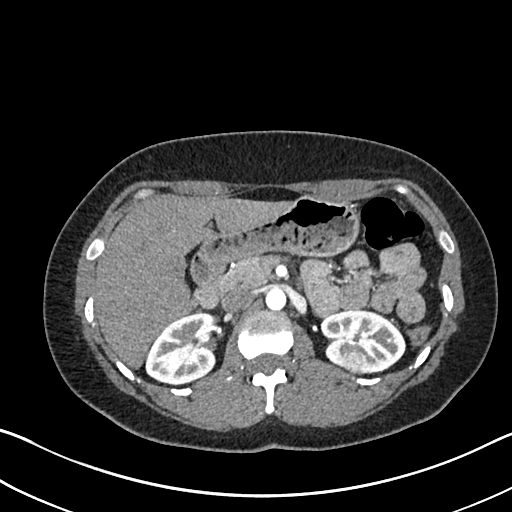
Abdominal CT with intravenous contrast, arterial phase, axial plane, 120 kVp, kernel I30f. Slice 442/612 from the bottom of the scan; thickness 1.00 mm; pixel size 0.703 mm.
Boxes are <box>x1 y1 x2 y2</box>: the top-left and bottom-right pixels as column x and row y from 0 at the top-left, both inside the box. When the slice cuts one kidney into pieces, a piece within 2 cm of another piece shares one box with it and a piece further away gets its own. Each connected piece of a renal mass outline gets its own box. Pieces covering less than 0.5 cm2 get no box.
Two kidney boxes and one renal mass box on this slice; by box centre, from the image's left to its right: (1) Right kidney: <box>145 312 219 385</box> (outlined area 4,055 px, about 20.0 cm2). (2) At <box>342 351 367 373</box>: left renal mass (outlined area 494 px, about 2.4 cm2). (3) Left kidney at <box>319 309 405 373</box> (outlined area 3,791 px, about 18.7 cm2).